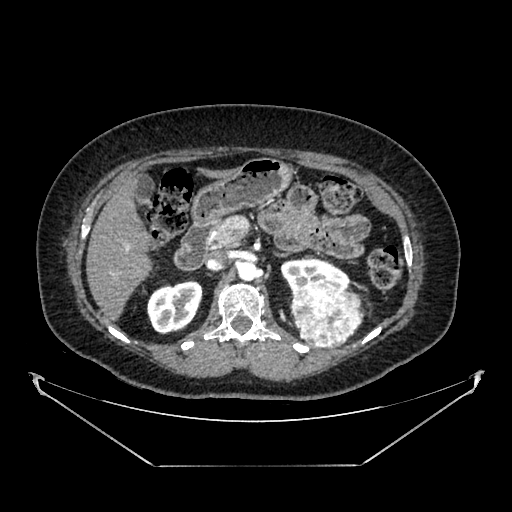
Abdominal CT with intravenous contrast, arterial phase, axial plane, 100 kVp, kernel SOFT. Slice 252/383 from the bottom of the scan; thickness 1.25 mm; pixel size 0.898 mm.
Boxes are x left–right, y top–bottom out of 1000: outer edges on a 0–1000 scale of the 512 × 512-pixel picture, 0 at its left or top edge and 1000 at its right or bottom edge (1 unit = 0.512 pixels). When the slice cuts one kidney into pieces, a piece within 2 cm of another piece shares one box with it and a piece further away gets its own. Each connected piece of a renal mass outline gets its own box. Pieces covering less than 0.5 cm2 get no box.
Three boxes on this slice (two kidney boxes and one renal mass box), listed by box centre from the image's left to its right. (1) Right kidney at x 285–396, y 547–654 out of 1000 (outlined area 2,281 px, about 18.4 cm2). (2) Box x 547–684, y 504–574 out of 1000: left kidney (outlined area 1,564 px, about 12.6 cm2). (3) Box x 566–711, y 551–680 out of 1000: left renal mass (outlined area 3,762 px, about 30.4 cm2).